Abdominal CT with intravenous contrast, arterial phase, axial plane, 120 kVp, kernel I30f. Slice 127/626 from the bottom of the scan; thickness 1.00 mm; pixel size 0.703 mm.
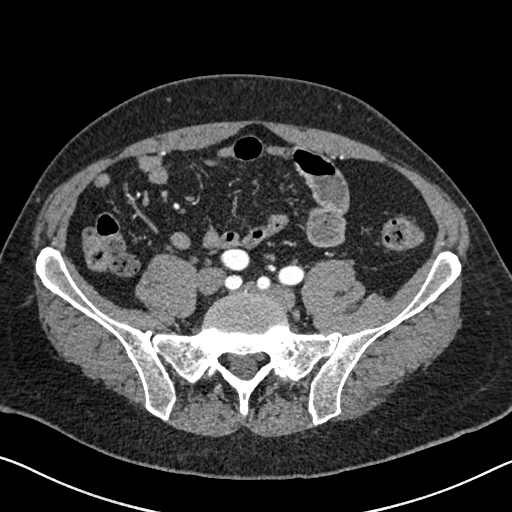
No kidney and no renal mass is outlined on this slice; the outlines in this scan cover only the kidneys and the renal masses, so nothing is said about any other organ.